Abdominal CT with intravenous contrast, axial plane, 120 kVp, kernel B30f. Slice 236/433 from the bottom of the scan; thickness 1.00 mm; pixel size 0.672 mm.
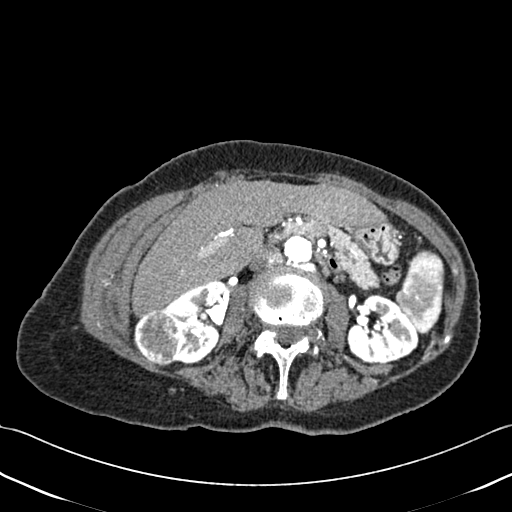
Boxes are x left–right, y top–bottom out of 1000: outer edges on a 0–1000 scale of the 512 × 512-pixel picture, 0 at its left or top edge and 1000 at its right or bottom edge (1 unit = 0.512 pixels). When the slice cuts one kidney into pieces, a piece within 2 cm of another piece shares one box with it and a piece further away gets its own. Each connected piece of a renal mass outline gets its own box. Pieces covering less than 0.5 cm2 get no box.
Boxed on this slice (two kidney boxes and one renal mass box), listed by box centre from the image's left to its right: (1) Right renal mass at x 260–357, y 604–717 out of 1000 (outlined area 2,162 px, about 9.8 cm2). (2) Right kidney at x 318–441, y 549–715 out of 1000 (outlined area 3,308 px, about 14.9 cm2). (3) Box x 678–818, y 572–713 out of 1000: left kidney (outlined area 3,610 px, about 16.3 cm2).